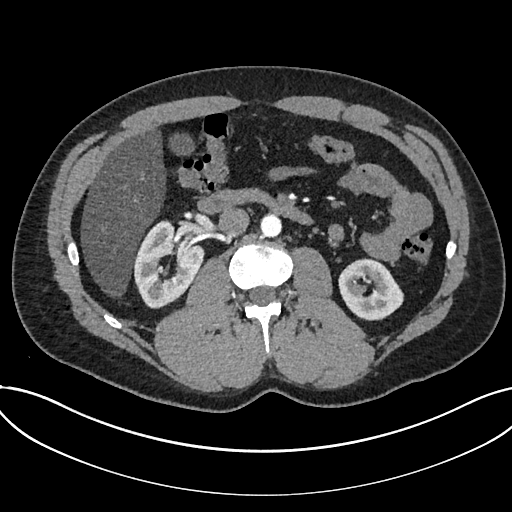
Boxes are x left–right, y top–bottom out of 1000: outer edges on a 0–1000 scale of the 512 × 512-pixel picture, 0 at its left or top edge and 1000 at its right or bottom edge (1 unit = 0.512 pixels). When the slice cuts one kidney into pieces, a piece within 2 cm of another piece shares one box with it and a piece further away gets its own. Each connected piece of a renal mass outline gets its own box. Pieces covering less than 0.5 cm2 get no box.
Arterial-phase contrast-enhanced abdominal CT, axial slice 399 of 735 (counted from the lowest slice); 1.00 mm thick, 0.789 mm per pixel. Two kidney boxes on this slice; by box centre, from the image's left to its right: (1) Box x 260–400, y 430–604 out of 1000: kidney (outlined area 4,202 px, about 26.2 cm2). (2) Kidney at x 660–789, y 504–627 out of 1000 (outlined area 2,963 px, about 18.4 cm2). No renal mass outline on this slice.
Tube voltage 120 kVp; convolution kernel I30f.